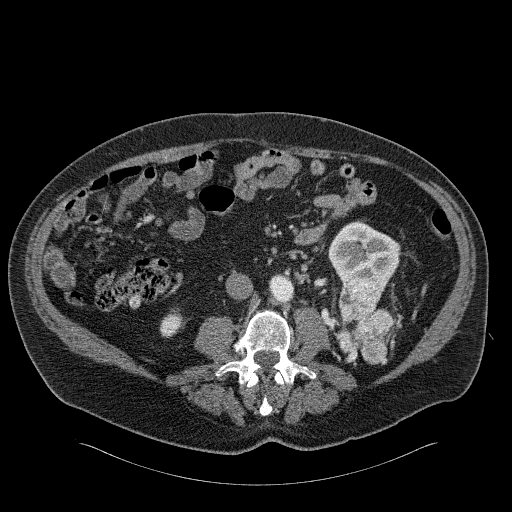
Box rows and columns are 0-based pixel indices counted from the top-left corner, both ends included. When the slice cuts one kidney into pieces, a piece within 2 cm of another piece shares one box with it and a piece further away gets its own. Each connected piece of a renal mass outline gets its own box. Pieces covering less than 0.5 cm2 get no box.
Arterial-phase contrast-enhanced abdominal CT, axial slice 79 of 326 (counted from the lowest slice); 2.00 mm thick, 0.963 mm per pixel. Four boxes on this slice (two kidney boxes and two renal mass boxes), listed by box centre from the image's left to its right. (1) Box rows 308–337, columns 159–185: right kidney (outlined area 496 px, about 4.6 cm2). (2) Box rows 331–353, columns 337–347: left renal mass (outlined area 161 px, about 1.5 cm2); here it is more than 1 cm from any kidney outline, though on another slice the same outlined renal mass lies within 1 cm of the kidney. (3) Left kidney, box rows 221–291, columns 328–400 (outlined area 3,325 px, about 30.8 cm2). (4) Left renal mass, box rows 275–364, columns 338–393 (outlined area 3,391 px, about 31.4 cm2).
Scan settings: 120 kVp, B31f reconstruction kernel.